One axial slice (85 of 129, counting up from the lowest) of an arterial-phase abdominal CT acquired with 140 kVp, kernel STANDARD; each pixel is 0.938 mm and the slice is 3.75 mm thick.
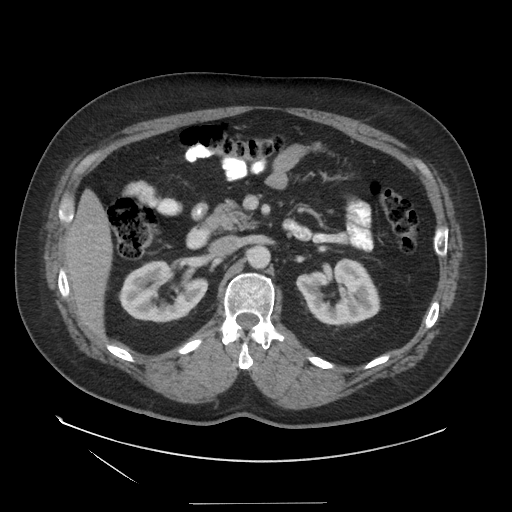
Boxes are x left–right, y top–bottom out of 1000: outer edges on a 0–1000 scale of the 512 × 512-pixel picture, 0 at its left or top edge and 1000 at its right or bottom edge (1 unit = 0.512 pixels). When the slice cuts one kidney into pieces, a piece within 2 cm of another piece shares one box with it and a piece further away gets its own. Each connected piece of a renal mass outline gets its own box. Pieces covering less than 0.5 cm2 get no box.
Boxed on this slice (two kidney boxes), listed by box centre from the image's left to its right: (1) Right kidney at x 230–408, y 506–631 out of 1000 (outlined area 3,934 px, about 34.6 cm2). (2) Left kidney, box x 578–742, y 506–635 out of 1000 (outlined area 3,873 px, about 34.0 cm2).